Abdominal CT with intravenous contrast, arterial phase, axial plane, 120 kVp, kernel B. Slice 56/98 from the bottom of the scan; thickness 5.00 mm; pixel size 0.703 mm.
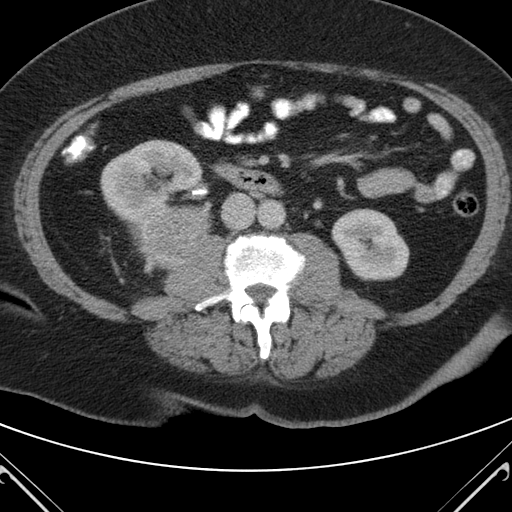
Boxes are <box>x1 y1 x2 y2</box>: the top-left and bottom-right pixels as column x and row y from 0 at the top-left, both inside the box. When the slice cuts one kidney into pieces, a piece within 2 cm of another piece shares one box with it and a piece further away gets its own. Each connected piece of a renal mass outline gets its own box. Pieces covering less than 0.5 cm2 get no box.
Boxed on this slice (two kidney boxes and one renal mass box), listed by box centre from the image's left to its right: (1) Right kidney: <box>100 139 203 227</box> (outlined area 5,781 px, about 28.6 cm2). (2) At <box>140 205 210 264</box>: right renal mass (outlined area 3,437 px, about 17.0 cm2). (3) At <box>331 208 409 280</box>: left kidney (outlined area 4,224 px, about 20.9 cm2).